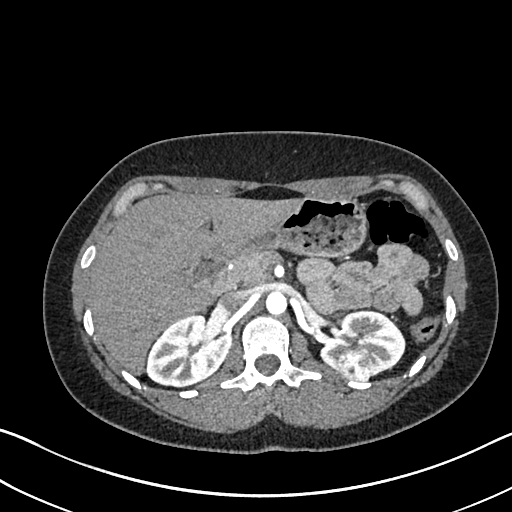
Abdominal CT with intravenous contrast, arterial phase, axial plane, 120 kVp, kernel I30f. Slice 458/612 from the bottom of the scan; thickness 1.00 mm; pixel size 0.703 mm.
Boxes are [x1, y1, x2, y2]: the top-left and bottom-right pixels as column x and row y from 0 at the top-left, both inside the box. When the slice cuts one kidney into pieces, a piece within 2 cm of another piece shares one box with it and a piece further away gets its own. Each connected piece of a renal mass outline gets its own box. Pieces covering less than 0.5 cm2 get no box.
Two kidney boxes and one renal mass box on this slice; by box centre, from the image's left to its right: (1) Box [146, 314, 230, 387]: right kidney (outlined area 4,439 px, about 21.9 cm2). (2) Box [337, 348, 372, 380]: left renal mass (outlined area 965 px, about 4.8 cm2). (3) Box [320, 309, 405, 376]: left kidney (outlined area 3,429 px, about 17.0 cm2).